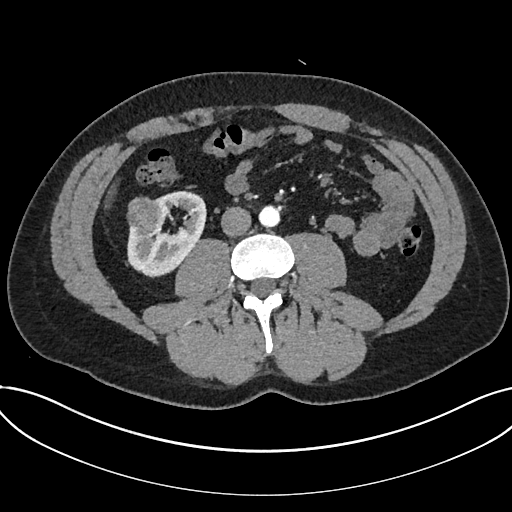
Arterial-phase contrast-enhanced abdominal CT, axial slice 328 of 735 (counted from the lowest slice); tube voltage 120 kVp, convolution kernel I30f; slices 1.00 mm thick, 0.789 mm per pixel.
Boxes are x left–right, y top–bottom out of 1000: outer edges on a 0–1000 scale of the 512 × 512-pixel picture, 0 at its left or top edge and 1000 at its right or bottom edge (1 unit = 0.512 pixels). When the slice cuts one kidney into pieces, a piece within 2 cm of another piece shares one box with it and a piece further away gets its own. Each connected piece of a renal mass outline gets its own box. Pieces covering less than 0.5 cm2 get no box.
Boxed on this slice (one kidney box and one renal mass box), listed by box centre from the image's left to its right: (1) Box x 248–320, y 383–461 out of 1000: renal mass (outlined area 1,158 px, about 7.2 cm2). (2) Box x 248–404, y 371–543 out of 1000: kidney (outlined area 3,924 px, about 24.4 cm2).